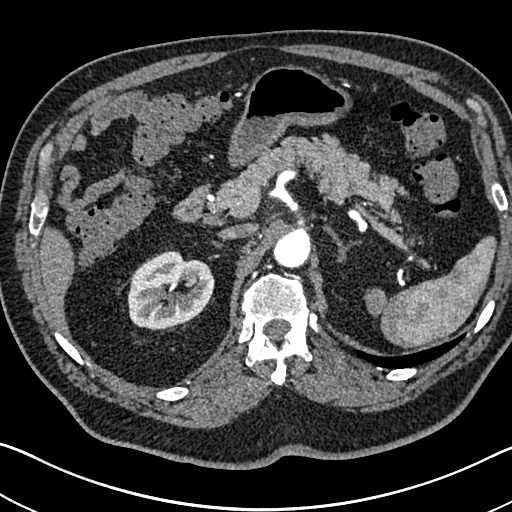
One axial slice (504 of 705, counting up from the lowest) of an arterial-phase abdominal CT acquired with 120 kVp, kernel I30f; each pixel is 0.703 mm and the slice is 1.00 mm thick.
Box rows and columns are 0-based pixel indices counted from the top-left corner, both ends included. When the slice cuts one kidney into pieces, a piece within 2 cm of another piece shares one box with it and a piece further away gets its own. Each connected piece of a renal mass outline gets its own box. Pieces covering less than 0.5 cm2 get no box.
Box rows 250–330, columns 127–214: right kidney (outlined area 5,191 px, about 25.7 cm2). This slice carries no renal mass outline.